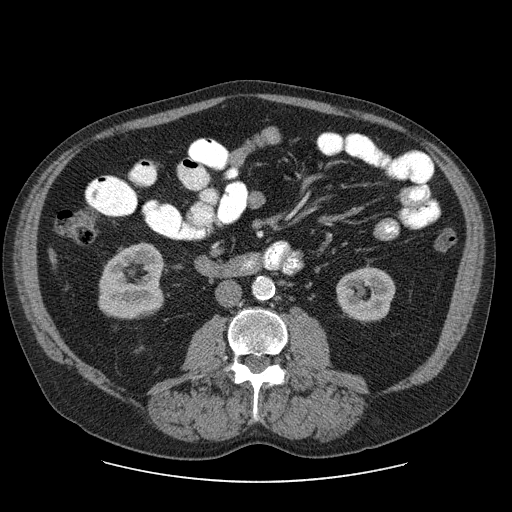
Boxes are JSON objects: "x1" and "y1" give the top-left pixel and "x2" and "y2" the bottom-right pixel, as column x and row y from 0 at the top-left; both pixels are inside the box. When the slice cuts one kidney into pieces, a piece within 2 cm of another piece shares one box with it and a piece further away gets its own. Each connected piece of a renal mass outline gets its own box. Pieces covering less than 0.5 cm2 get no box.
Contrast-enhanced abdominal CT, axial slice 24 of 103 (counted from the lowest slice); 2.50 mm thick, 0.820 mm per pixel. Two boxes on this slice (two kidney boxes), listed by box centre from the image's left to its right. (1) Box {"x1": 98, "y1": 242, "x2": 164, "y2": 319}: right kidney (outlined area 4,055 px, about 27.3 cm2). (2) Box {"x1": 336, "y1": 267, "x2": 395, "y2": 321}: left kidney (outlined area 2,546 px, about 17.1 cm2). No renal mass is outlined on this slice.
Scan settings: 120 kVp, STANDARD reconstruction kernel.